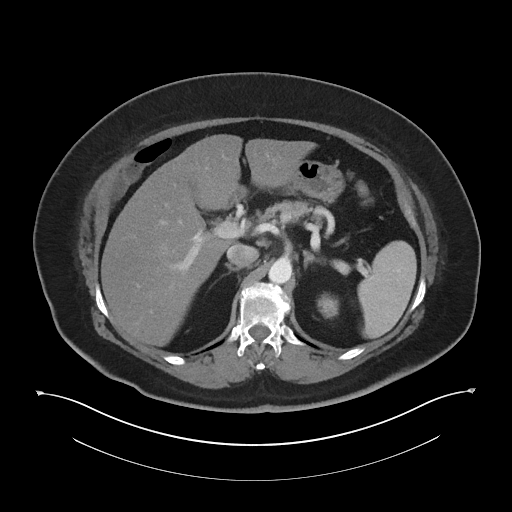
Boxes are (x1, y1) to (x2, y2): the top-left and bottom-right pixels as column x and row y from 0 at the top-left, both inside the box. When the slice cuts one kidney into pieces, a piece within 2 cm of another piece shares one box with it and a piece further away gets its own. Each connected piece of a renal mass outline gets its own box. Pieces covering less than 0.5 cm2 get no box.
Slice 33/60 of a contrast-enhanced abdominal CT, counting up from the lowest; pixel size 0.971 mm, slice thickness 5.00 mm. Box (317, 293) to (338, 318): left kidney (outlined area 426 px, about 4.0 cm2). No renal mass outline on this slice.
Scan settings: 120 kVp, I30f reconstruction kernel.